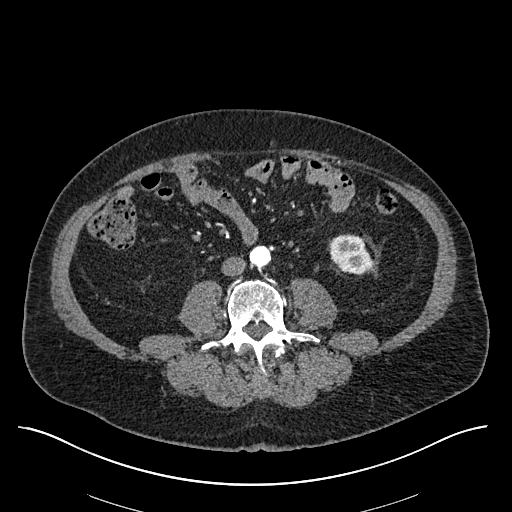
Arterial-phase contrast-enhanced abdominal CT, axial slice 215 of 670 (counted from the lowest slice); tube voltage 120 kVp, convolution kernel I30f; slices 1.00 mm thick, 0.861 mm per pixel.
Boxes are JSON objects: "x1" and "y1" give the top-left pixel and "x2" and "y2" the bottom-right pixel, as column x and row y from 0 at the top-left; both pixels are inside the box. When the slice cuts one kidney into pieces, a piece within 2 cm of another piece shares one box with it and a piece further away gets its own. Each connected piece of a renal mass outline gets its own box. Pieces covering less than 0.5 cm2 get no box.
Box {"x1": 329, "y1": 234, "x2": 374, "y2": 274}: left kidney (outlined area 1,386 px, about 10.3 cm2). No renal mass outline on this slice.